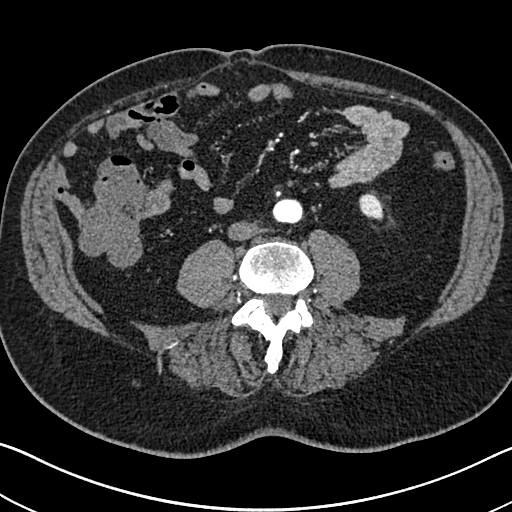
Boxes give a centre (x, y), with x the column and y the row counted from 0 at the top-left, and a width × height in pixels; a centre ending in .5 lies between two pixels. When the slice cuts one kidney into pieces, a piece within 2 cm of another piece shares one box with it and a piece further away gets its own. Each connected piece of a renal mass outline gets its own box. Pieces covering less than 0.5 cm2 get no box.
Slice 271/705 of a contrast-enhanced abdominal CT in the arterial phase, counting up from the lowest; pixel size 0.703 mm, slice thickness 1.00 mm. Box centre (370.5, 206.5), 26 × 28 pixels: left kidney (outlined area 515 px, about 2.5 cm2). No renal mass outline on this slice.
Scan settings: 120 kVp, I30f reconstruction kernel.